One axial slice (198 of 538, counting up from the lowest) of an arterial-phase abdominal CT acquired with 120 kVp, kernel B30f; each pixel is 0.811 mm and the slice is 1.00 mm thick.
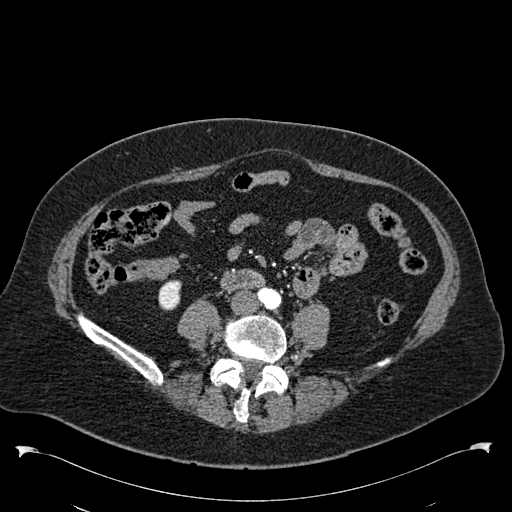
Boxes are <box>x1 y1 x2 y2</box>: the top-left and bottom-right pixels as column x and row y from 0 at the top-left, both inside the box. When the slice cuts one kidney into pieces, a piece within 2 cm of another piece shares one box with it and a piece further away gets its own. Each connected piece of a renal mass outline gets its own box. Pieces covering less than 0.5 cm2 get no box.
Right kidney: <box>158 280 181 310</box> (outlined area 597 px, about 3.9 cm2). No renal mass outline on this slice.